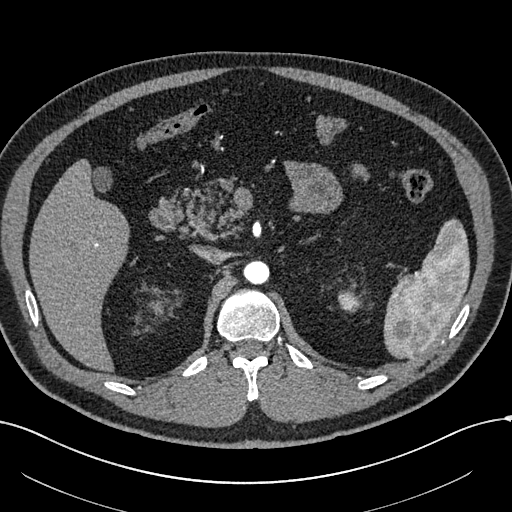
Arterial-phase contrast-enhanced abdominal CT, axial slice 418 of 602 (counted from the lowest slice); tube voltage 120 kVp, convolution kernel I30f; slices 1.00 mm thick, 0.799 mm per pixel.
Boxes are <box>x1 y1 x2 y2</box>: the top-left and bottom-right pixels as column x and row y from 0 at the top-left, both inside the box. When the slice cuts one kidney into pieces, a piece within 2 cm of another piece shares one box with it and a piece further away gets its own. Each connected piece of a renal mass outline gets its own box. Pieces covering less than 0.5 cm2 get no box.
At <box>338 290 358 311</box>: left kidney (outlined area 350 px, about 2.2 cm2). No renal mass is outlined on this slice.